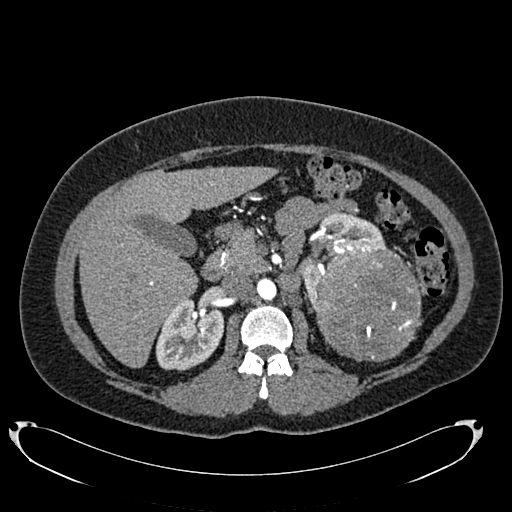
Arterial-phase contrast-enhanced abdominal CT, axial slice 455 of 634 (counted from the lowest slice); tube voltage 120 kVp, convolution kernel B20f; slices 1.00 mm thick, 0.838 mm per pixel.
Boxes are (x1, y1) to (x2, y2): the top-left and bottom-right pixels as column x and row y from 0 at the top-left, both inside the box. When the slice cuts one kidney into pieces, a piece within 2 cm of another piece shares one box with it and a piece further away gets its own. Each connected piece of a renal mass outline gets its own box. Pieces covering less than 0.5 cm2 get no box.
Three boxes on this slice (two kidney boxes and one renal mass box), listed by box centre from the image's left to its right. (1) Right kidney from (156, 295) to (224, 371) (outlined area 3,767 px, about 26.4 cm2). (2) Left kidney, box (300, 211) to (385, 311) (outlined area 2,880 px, about 20.2 cm2). (3) Left renal mass, box (313, 245) to (422, 361) (outlined area 10,242 px, about 71.9 cm2).